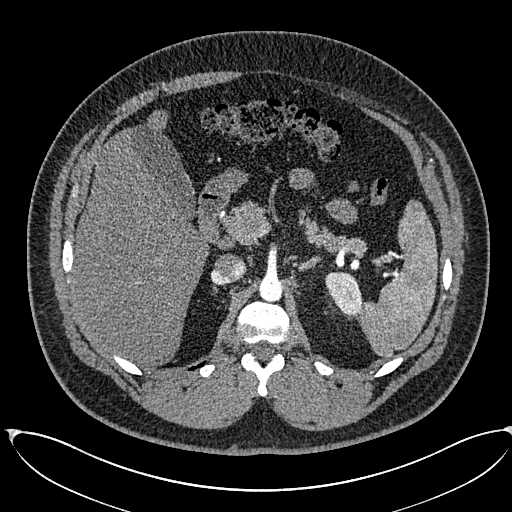
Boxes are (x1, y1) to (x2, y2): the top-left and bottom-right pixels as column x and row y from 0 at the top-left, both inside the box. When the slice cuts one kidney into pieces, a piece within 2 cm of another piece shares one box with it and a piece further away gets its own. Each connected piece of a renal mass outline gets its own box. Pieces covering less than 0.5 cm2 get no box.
Arterial-phase contrast-enhanced abdominal CT, axial slice 424 of 673 (counted from the lowest slice); 1.00 mm thick, 0.855 mm per pixel. Left kidney, box (325, 271) to (362, 316) (outlined area 1,230 px, about 9.0 cm2). No renal mass is outlined on this slice.
Scan settings: 120 kVp, I30f reconstruction kernel.